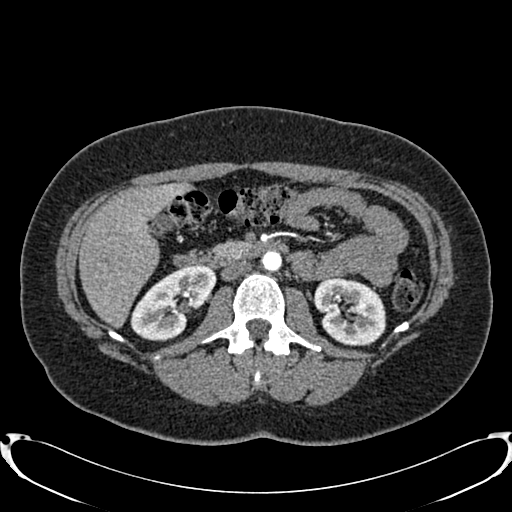
One axial slice (445 of 719, counting up from the lowest) of an arterial-phase abdominal CT acquired with 120 kVp, kernel B20f; each pixel is 0.766 mm and the slice is 1.00 mm thick.
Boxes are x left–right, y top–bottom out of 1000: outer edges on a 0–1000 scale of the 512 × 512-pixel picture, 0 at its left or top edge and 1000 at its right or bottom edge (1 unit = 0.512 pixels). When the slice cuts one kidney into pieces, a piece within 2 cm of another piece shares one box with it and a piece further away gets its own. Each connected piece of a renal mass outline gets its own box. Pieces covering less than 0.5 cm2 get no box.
Boxed on this slice (two kidney boxes), listed by box centre from the image's left to its right: (1) Right kidney at x 254–424, y 518–668 out of 1000 (outlined area 4,085 px, about 23.9 cm2). (2) Box x 611–756, y 539–676 out of 1000: left kidney (outlined area 3,833 px, about 22.5 cm2). No renal mass is outlined on this slice.